Axial slice 136 of 197 of a contrast-enhanced abdominal CT (slice 1 is the lowest), 120 kVp, kernel I30f; 5.00 mm slice thickness and 0.791 mm pixels.
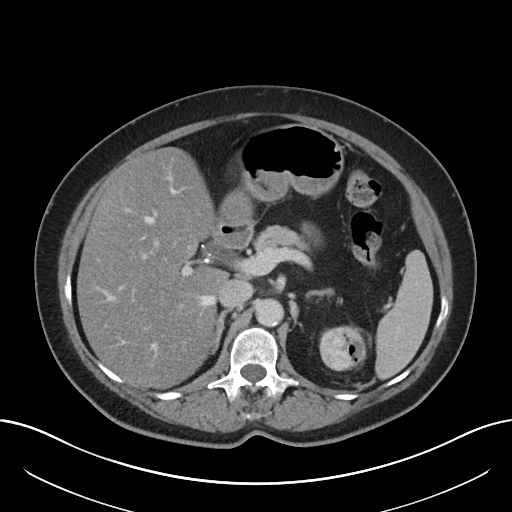
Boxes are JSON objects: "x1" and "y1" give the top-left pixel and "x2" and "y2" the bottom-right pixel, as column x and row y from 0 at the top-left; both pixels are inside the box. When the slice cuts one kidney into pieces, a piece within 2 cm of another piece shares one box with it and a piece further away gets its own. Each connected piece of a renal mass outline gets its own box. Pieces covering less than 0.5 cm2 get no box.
Left renal mass at {"x1": 319, "y1": 325, "x2": 366, "y2": 371} (outlined area 1,728 px, about 10.8 cm2); no kidney outline appears on this slice, but the same outlined renal mass comes within 1 cm of the kidney on another slice.